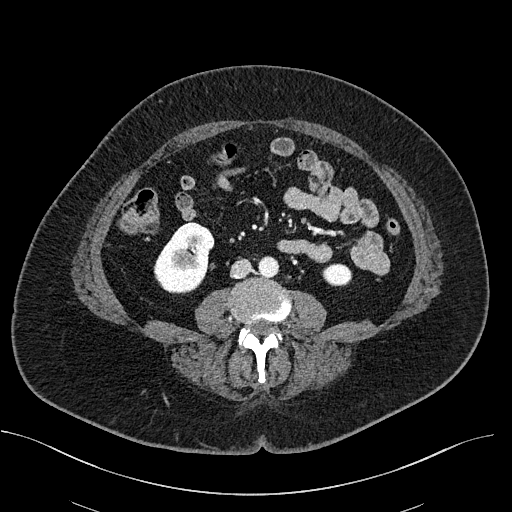
Contrast-enhanced abdominal CT, axial slice 253 of 470 (counted from the lowest slice); tube voltage 100 kVp, convolution kernel I40f; slices 2.00 mm thick, 0.824 mm per pixel.
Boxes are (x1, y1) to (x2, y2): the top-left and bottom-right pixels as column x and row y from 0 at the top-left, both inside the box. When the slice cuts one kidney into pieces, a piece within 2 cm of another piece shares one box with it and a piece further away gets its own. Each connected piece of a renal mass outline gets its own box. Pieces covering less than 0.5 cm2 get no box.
Two kidney boxes on this slice; by box centre, from the image's left to its right: (1) Right kidney, box (153, 221) to (214, 293) (outlined area 3,095 px, about 21.0 cm2). (2) Left kidney, box (322, 263) to (351, 285) (outlined area 544 px, about 3.7 cm2). This slice carries no renal mass outline.